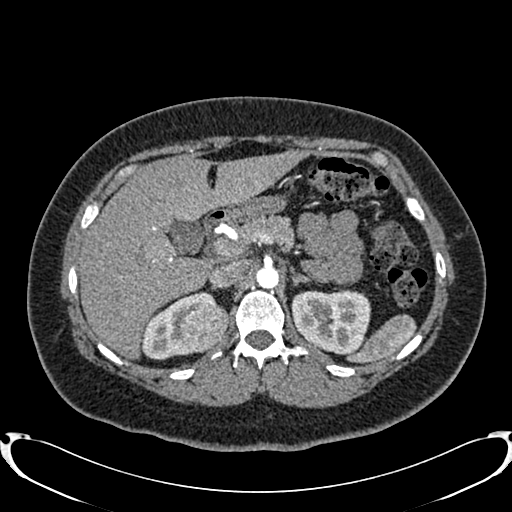
One axial slice (556 of 719, counting up from the lowest) of an arterial-phase abdominal CT acquired with 120 kVp, kernel B20f; each pixel is 0.766 mm and the slice is 1.00 mm thick.
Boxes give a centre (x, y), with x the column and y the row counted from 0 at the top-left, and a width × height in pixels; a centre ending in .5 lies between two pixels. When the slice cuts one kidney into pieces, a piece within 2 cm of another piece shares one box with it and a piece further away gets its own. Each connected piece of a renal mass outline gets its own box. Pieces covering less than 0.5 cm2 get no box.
Boxed on this slice (two kidney boxes and one renal mass box), listed by box centre from the image's left to its right: (1) Right kidney in a box with centre (178, 326), 77 × 69 pixels (outlined area 2,430 px, about 14.2 cm2). (2) Right renal mass, box centre (204, 328), 51 × 49 pixels (outlined area 1,891 px, about 11.1 cm2). (3) Left kidney, box centre (331, 321.5), 81 × 66 pixels (outlined area 4,144 px, about 24.3 cm2).